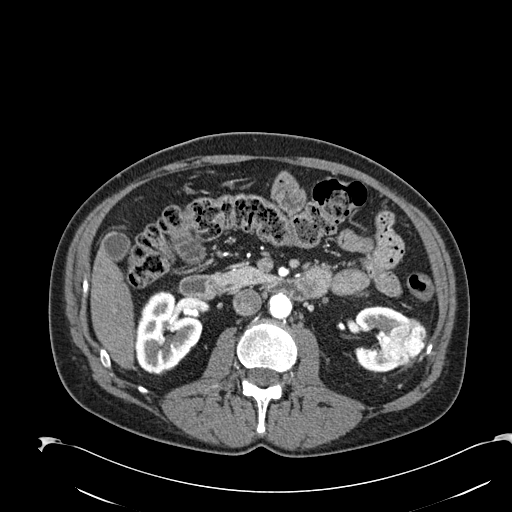
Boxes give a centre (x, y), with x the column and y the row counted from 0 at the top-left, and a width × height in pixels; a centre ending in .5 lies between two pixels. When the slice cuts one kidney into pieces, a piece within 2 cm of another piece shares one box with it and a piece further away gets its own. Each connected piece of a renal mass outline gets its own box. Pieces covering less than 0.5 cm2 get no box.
Slice 112/274 of a contrast-enhanced abdominal CT in the arterial phase, counting up from the lowest; pixel size 0.809 mm, slice thickness 2.00 mm. Two kidney boxes and one renal mass box on this slice; by box centre, from the image's left to its right: (1) Right kidney, box centre (168.5, 333), 68 × 85 pixels (outlined area 4,043 px, about 26.4 cm2). (2) Left kidney in a box with centre (381, 339), 55 × 67 pixels (outlined area 1,996 px, about 13.1 cm2). (3) Left renal mass, box centre (404, 342), 45 × 49 pixels (outlined area 1,615 px, about 10.6 cm2).
Scan settings: 120 kVp, B30f reconstruction kernel.